Axial slice 114 of 345 of a contrast-enhanced abdominal CT in the arterial phase (slice 1 is the lowest), 120 kVp, kernel I31f; 2.00 mm slice thickness and 0.977 mm pixels.
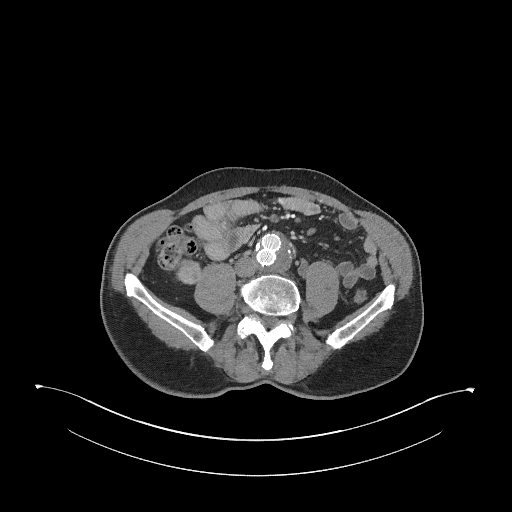
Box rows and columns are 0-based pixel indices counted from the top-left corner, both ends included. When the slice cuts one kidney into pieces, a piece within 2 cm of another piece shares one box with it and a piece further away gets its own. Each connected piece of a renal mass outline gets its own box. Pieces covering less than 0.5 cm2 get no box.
Right renal mass at rows 259–284, columns 175–201 (outlined area 552 px, about 5.3 cm2); no kidney outline appears on this slice, but the same outlined renal mass comes within 1 cm of the kidney on another slice.